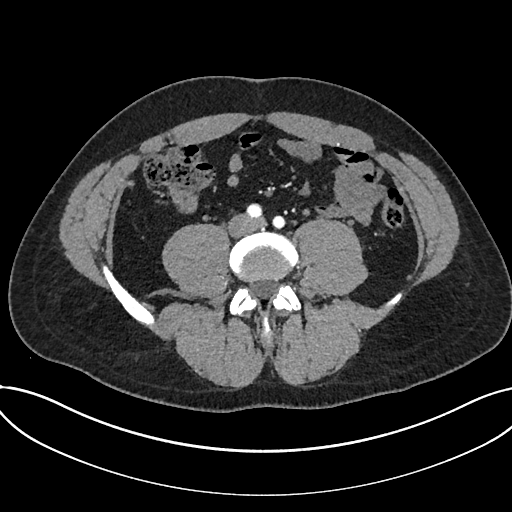
Arterial-phase contrast-enhanced abdominal CT, axial slice 235 of 735 (counted from the lowest slice); tube voltage 120 kVp, convolution kernel I30f; slices 1.00 mm thick, 0.789 mm per pixel.
Outside the outlined region: no kidney outline and no renal mass outline on this slice. The scan's outlines cover only kidneys and renal masses; no other organ is outlined.